Arterial-phase contrast-enhanced abdominal CT, axial slice 55 of 270 (counted from the lowest slice); tube voltage 100 kVp, convolution kernel I40f; slices 2.00 mm thick, 0.855 mm per pixel.
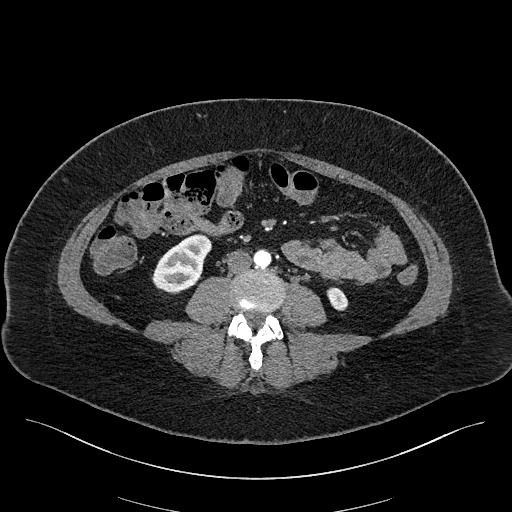
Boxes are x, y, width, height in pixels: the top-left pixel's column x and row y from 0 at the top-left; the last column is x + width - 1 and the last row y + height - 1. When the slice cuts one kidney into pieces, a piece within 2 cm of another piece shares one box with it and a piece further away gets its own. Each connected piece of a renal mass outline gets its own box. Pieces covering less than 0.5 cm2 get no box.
Two kidney boxes on this slice; by box centre, from the image's left to its right: (1) Right kidney at x 152, y 233, width 60, height 62 (outlined area 2,336 px, about 17.1 cm2). (2) Left kidney at x 326, y 287, width 23, height 24 (outlined area 382 px, about 2.8 cm2). No renal mass outline on this slice.